One axial slice (591 of 735, counting up from the lowest) of an arterial-phase abdominal CT acquired with 120 kVp, kernel I30f; each pixel is 0.789 mm and the slice is 1.00 mm thick.
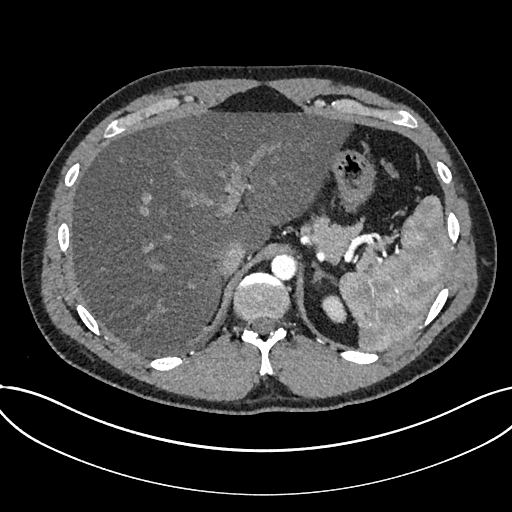
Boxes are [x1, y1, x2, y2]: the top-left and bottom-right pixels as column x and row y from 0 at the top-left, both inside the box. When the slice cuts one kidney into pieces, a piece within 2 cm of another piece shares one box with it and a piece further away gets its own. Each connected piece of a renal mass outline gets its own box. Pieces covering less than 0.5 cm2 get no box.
Box [321, 295, 346, 323]: kidney (outlined area 522 px, about 3.3 cm2). No renal mass is outlined on this slice.